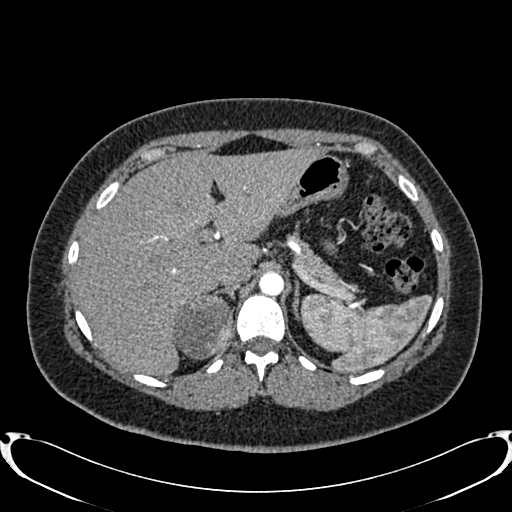
Axial slice 608 of 719 of a contrast-enhanced abdominal CT in the arterial phase (slice 1 is the lowest), 120 kVp, kernel B20f; 1.00 mm slice thickness and 0.766 mm pixels.
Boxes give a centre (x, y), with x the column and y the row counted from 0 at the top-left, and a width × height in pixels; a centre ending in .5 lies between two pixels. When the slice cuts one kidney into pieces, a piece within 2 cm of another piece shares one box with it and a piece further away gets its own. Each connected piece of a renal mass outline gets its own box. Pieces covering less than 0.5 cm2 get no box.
Right renal mass in a box with centre (202, 326.5), 61 × 66 pixels (outlined area 3,136 px, about 18.4 cm2); no kidney outline appears on this slice, but the same outlined renal mass comes within 1 cm of the kidney on another slice.